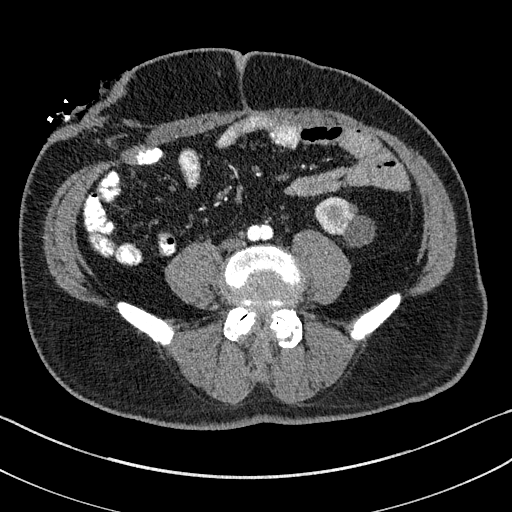
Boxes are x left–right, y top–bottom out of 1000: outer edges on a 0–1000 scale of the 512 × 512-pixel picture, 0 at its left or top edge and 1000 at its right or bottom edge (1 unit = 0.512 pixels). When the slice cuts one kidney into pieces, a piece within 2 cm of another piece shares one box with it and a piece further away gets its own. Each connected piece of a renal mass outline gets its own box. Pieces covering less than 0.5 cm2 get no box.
This is axial slice 29 of 195 (slice 1 is the lowest) of an arterial-phase abdominal CT with contrast; each pixel is 0.707 mm and the slice is 1.50 mm thick. Box x 615–730, y 385–479 out of 1000: left kidney (outlined area 1,761 px, about 8.8 cm2). This slice carries no renal mass outline.
Scan settings: 100 kVp, I31f reconstruction kernel.